Contrast-enhanced abdominal CT, axial slice 459 of 787 (counted from the lowest slice); tube voltage 140 kVp, convolution kernel I30f; slices 1.00 mm thick, 0.910 mm per pixel.
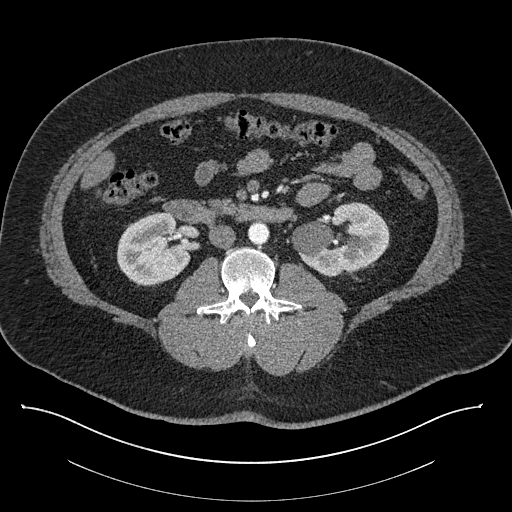
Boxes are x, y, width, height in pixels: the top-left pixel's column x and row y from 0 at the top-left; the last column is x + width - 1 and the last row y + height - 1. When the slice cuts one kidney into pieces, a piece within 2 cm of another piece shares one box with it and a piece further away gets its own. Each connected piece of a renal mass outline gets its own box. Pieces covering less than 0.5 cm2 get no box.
Two boxes on this slice (two kidney boxes), listed by box centre from the image's left to its right. (1) Right kidney at x 116, y 212, width 76, height 75 (outlined area 4,104 px, about 34.0 cm2). (2) Box x 291, y 202, width 99, height 75: left kidney (outlined area 5,143 px, about 42.6 cm2). No renal mass is outlined on this slice.